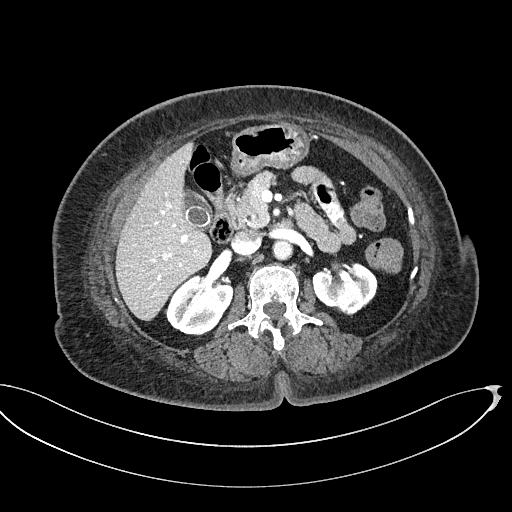
One axial slice (308 of 439, counting up from the lowest) of a contrast-enhanced abdominal CT acquired with 100 kVp, kernel I40f; each pixel is 0.850 mm and the slice is 2.00 mm thick.
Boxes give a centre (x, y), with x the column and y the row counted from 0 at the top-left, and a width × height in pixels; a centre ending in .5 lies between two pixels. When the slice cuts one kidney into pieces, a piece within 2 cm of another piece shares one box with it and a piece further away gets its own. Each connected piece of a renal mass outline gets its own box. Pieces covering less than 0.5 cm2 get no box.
Two boxes on this slice (two kidney boxes), listed by box centre from the image's left to its right. (1) Right kidney in a box with centre (198.5, 304.5), 68 × 62 pixels (outlined area 2,968 px, about 21.4 cm2). (2) Box centre (344.5, 289.5), 66 × 54 pixels: left kidney (outlined area 2,540 px, about 18.3 cm2). No renal mass is outlined on this slice.